One axial slice (150 of 301, counting up from the lowest) of a contrast-enhanced abdominal CT acquired with 120 kVp, kernel I40f; each pixel is 0.859 mm and the slice is 2.00 mm thick.
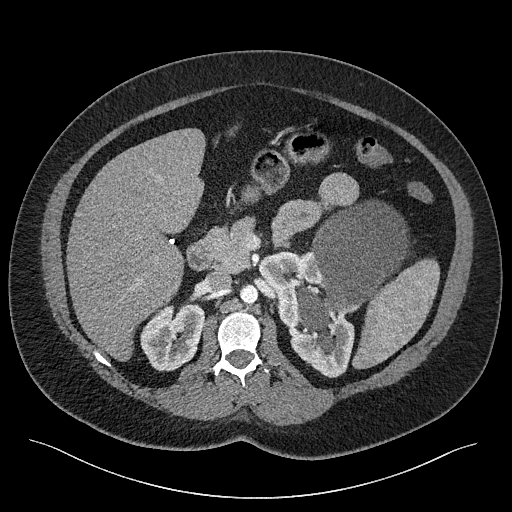
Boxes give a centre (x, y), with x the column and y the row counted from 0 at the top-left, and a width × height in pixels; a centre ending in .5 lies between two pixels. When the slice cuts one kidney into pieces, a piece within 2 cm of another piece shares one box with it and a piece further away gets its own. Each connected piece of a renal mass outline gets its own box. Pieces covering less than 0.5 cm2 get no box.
Three boxes on this slice (two kidney boxes and one renal mass box), listed by box centre from the image's left to its right. (1) Right kidney in a box with centre (172, 336.5), 65 × 70 pixels (outlined area 3,307 px, about 24.4 cm2). (2) Left kidney, box centre (306, 314), 97 × 127 pixels (outlined area 5,288 px, about 39.1 cm2). (3) Left renal mass, box centre (352, 267.5), 115 × 136 pixels (outlined area 9,083 px, about 67.1 cm2).